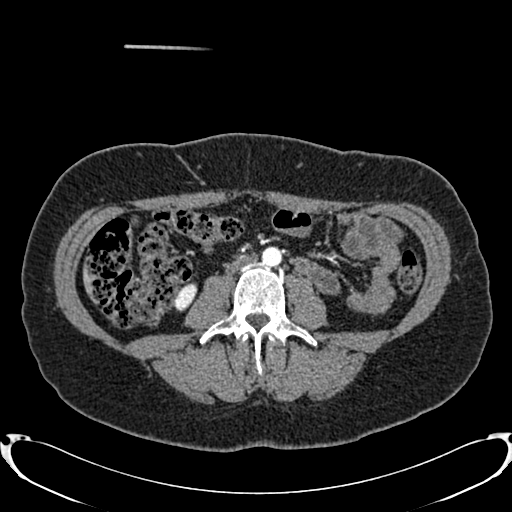
Arterial-phase contrast-enhanced abdominal CT, axial slice 368 of 719 (counted from the lowest slice); tube voltage 120 kVp, convolution kernel B20f; slices 1.00 mm thick, 0.766 mm per pixel.
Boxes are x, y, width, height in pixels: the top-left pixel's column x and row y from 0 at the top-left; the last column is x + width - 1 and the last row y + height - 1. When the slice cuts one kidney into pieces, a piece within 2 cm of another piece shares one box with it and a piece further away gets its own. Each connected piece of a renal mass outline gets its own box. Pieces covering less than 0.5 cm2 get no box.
Right kidney at x 175, y 283, width 23, height 29 (outlined area 443 px, about 2.6 cm2). No renal mass is outlined on this slice.